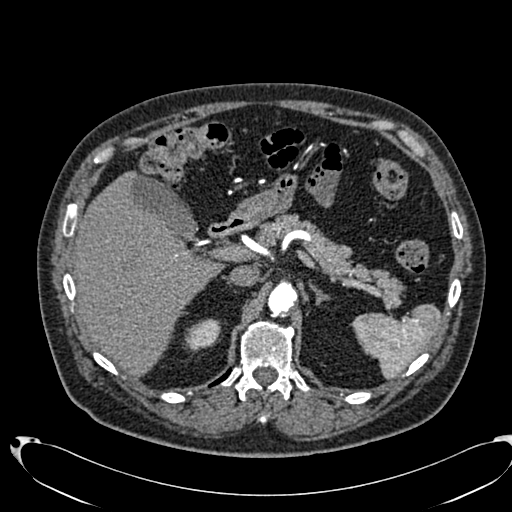
Arterial-phase contrast-enhanced abdominal CT, axial slice 495 of 553 (counted from the lowest slice); tube voltage 120 kVp, convolution kernel B20f; slices 1.00 mm thick, 0.773 mm per pixel.
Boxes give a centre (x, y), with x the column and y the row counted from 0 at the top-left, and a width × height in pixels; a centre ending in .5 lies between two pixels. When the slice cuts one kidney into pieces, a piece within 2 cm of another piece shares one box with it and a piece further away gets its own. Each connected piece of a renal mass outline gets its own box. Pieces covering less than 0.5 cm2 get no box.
Box centre (202.5, 334.5), 36 × 34 pixels: right kidney (outlined area 865 px, about 5.2 cm2). No renal mass outline on this slice.